One axial slice (65 of 195, counting up from the lowest) of an arterial-phase abdominal CT acquired with 100 kVp, kernel I31f; each pixel is 0.707 mm and the slice is 1.50 mm thick.
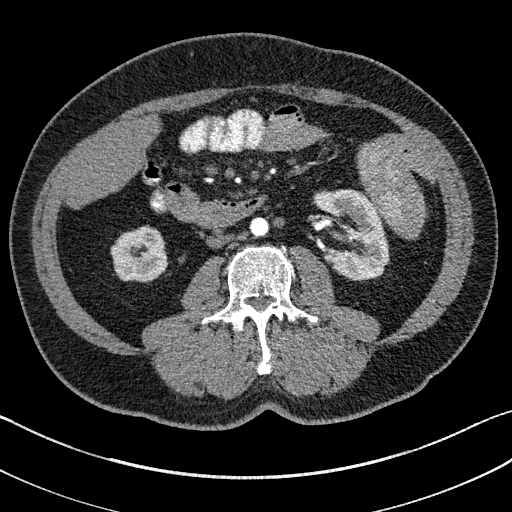
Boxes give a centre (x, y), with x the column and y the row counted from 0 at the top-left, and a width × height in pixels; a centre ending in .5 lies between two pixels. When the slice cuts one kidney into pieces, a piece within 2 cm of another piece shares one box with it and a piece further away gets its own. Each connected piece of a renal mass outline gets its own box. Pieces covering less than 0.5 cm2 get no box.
Boxed on this slice (two kidney boxes), listed by box centre from the image's left to its right: (1) Right kidney, box centre (139, 253.5), 57 × 56 pixels (outlined area 2,493 px, about 12.5 cm2). (2) Left kidney in a box with centre (351, 234.5), 77 × 92 pixels (outlined area 4,665 px, about 23.3 cm2). No renal mass is outlined on this slice.